Contrast-enhanced abdominal CT, axial slice 377 of 834 (counted from the lowest slice); tube voltage 140 kVp, convolution kernel I30f; slices 1.00 mm thick, 0.977 mm per pixel.
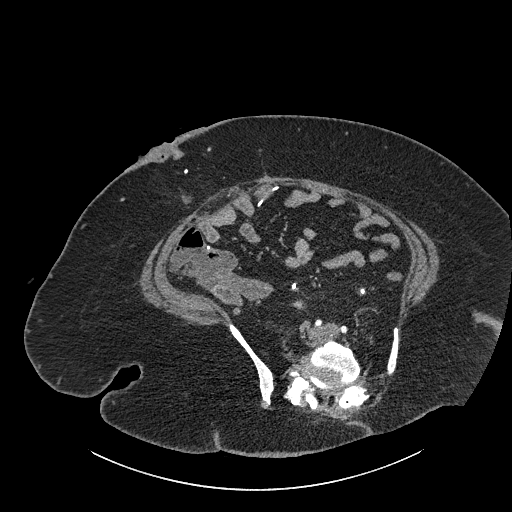
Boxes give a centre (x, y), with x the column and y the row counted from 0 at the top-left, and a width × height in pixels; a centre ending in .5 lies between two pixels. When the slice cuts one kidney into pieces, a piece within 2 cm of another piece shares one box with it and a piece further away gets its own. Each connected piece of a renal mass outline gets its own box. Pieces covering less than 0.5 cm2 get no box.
Right part of the midline-crossing kidney in a box with centre (298.5, 304), 14 × 11 pixels (outlined area 97 px, about 0.9 cm2). No renal mass outline on this slice.